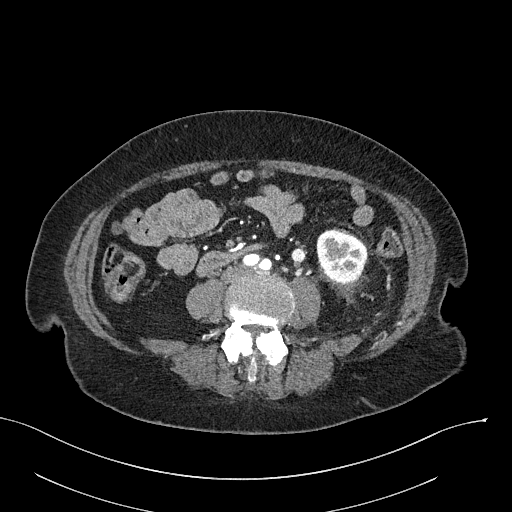
Arterial-phase contrast-enhanced abdominal CT, axial slice 80 of 316 (counted from the lowest slice); tube voltage 100 kVp, convolution kernel I40f; slices 2.00 mm thick, 0.840 mm per pixel.
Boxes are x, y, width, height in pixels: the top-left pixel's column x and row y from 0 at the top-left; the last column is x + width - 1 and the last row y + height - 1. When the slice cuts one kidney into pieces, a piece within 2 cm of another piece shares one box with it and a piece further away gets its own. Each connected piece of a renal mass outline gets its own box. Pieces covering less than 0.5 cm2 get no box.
Left kidney, box x 316, y 230, width 50, height 54 (outlined area 2,083 px, about 14.7 cm2). No renal mass is outlined on this slice.